Abdominal CT with intravenous contrast, arterial phase, axial plane, 120 kVp, kernel B30f. Slice 376/723 from the bottom of the scan; thickness 1.00 mm; pixel size 0.895 mm.
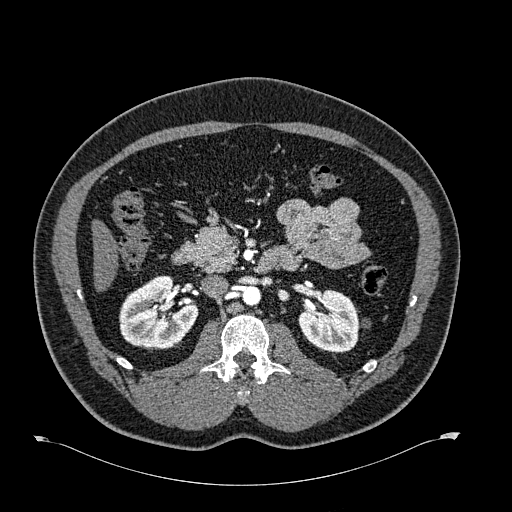
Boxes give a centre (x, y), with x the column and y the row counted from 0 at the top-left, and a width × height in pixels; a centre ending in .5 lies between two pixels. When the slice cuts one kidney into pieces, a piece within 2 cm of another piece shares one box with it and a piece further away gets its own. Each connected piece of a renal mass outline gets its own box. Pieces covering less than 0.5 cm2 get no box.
Two kidney boxes on this slice; by box centre, from the image's left to its right: (1) Right kidney in a box with centre (158.5, 313), 80 × 77 pixels (outlined area 4,285 px, about 34.3 cm2). (2) Box centre (334, 320.5), 73 × 64 pixels: left kidney (outlined area 2,989 px, about 23.9 cm2). No renal mass is outlined on this slice.